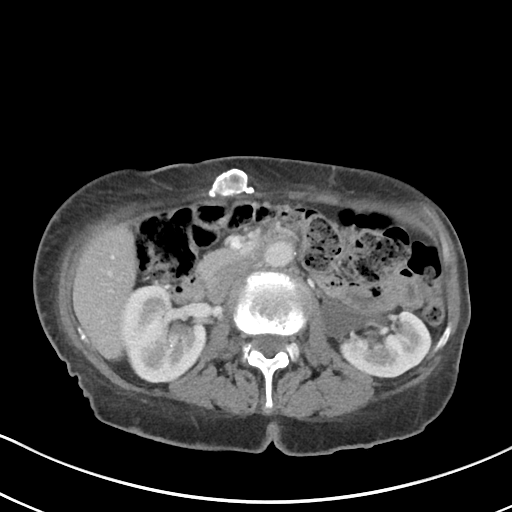
Abdominal CT with intravenous contrast, arterial phase, axial plane, 100 kVp, kernel I40f. Slice 56/80 from the bottom of the scan; thickness 5.00 mm; pixel size 0.648 mm.
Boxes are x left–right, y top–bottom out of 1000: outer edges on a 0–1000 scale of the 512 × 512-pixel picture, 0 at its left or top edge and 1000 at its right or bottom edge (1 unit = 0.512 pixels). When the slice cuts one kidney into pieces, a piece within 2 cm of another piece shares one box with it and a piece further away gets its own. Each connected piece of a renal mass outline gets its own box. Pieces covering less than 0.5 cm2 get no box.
Boxed on this slice (two kidney boxes), listed by box centre from the image's left to its right: (1) Right kidney, box x 240–402, y 559–746 out of 1000 (outlined area 5,897 px, about 24.8 cm2). (2) Left kidney, box x 627–842, y 578–736 out of 1000 (outlined area 5,146 px, about 21.6 cm2). No renal mass is outlined on this slice.